Abdominal CT with intravenous contrast, arterial phase, axial plane, 120 kVp, kernel I30f. Slice 455/612 from the bottom of the scan; thickness 1.00 mm; pixel size 0.703 mm.
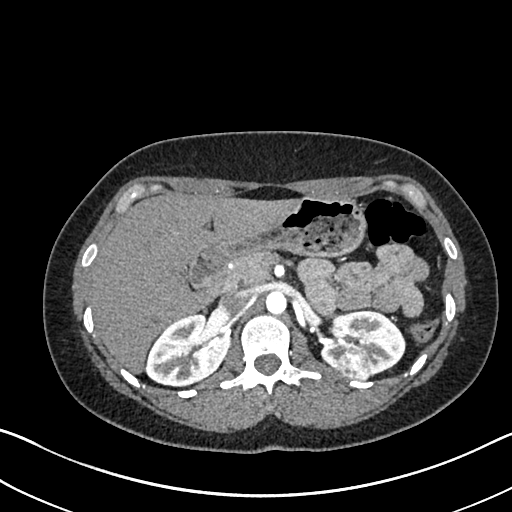
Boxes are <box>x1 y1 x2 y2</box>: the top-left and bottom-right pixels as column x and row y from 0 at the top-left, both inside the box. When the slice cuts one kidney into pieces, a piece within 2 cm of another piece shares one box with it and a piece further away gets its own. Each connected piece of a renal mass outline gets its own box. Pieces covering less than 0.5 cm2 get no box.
Three boxes on this slice (two kidney boxes and one renal mass box), listed by box centre from the image's left to its right. (1) Right kidney at <box>145 314 229 386</box> (outlined area 4,382 px, about 21.7 cm2). (2) Left renal mass at <box>338 348 371 379</box> (outlined area 877 px, about 4.3 cm2). (3) At <box>320 309 405 376</box>: left kidney (outlined area 3,487 px, about 17.2 cm2).